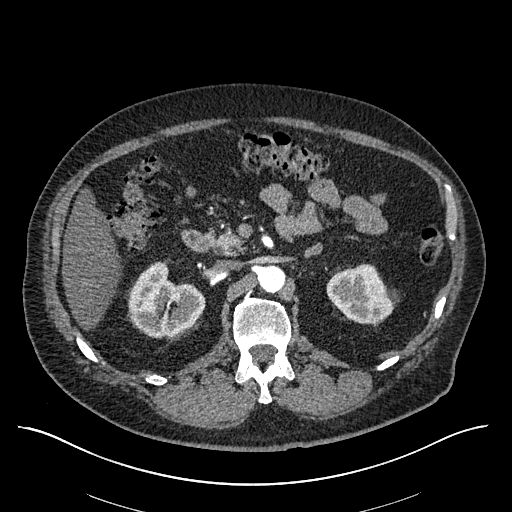
Axial slice 370 of 670 of a contrast-enhanced abdominal CT in the arterial phase (slice 1 is the lowest), 120 kVp, kernel I30f; 1.00 mm slice thickness and 0.861 mm pixels.
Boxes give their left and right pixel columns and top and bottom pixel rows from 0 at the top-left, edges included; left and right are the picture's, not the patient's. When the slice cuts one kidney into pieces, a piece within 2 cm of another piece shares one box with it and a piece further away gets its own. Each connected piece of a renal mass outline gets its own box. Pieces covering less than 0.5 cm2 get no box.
Boxed on this slice (two kidney boxes), listed by box centre from the image's left to its right: (1) Right kidney in the box with left 128, top 261, right 205, bottom 338 (outlined area 4,034 px, about 29.9 cm2). (2) Box with left 326, top 263, right 399, bottom 324: left kidney (outlined area 3,043 px, about 22.6 cm2). No renal mass outline on this slice.